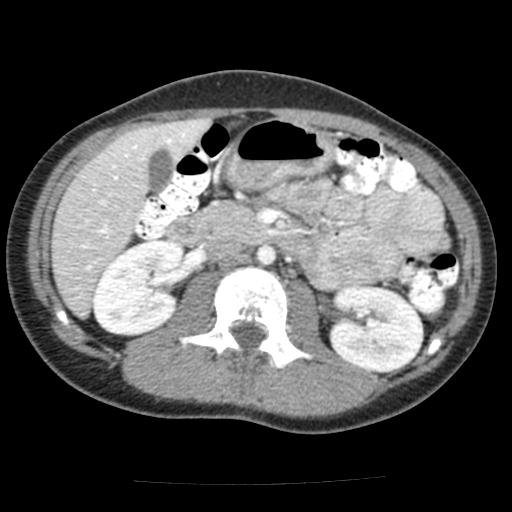
Axial slice 80 of 117 of a contrast-enhanced abdominal CT in the arterial phase (slice 1 is the lowest), 120 kVp, kernel FC12; 3.00 mm slice thickness and 0.518 mm pixels.
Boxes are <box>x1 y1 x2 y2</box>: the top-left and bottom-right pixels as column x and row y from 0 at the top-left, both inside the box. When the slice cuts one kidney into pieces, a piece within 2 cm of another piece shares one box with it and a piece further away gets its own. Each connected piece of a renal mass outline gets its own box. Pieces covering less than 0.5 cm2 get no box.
Two kidney boxes on this slice; by box centre, from the image's left to its right: (1) Right kidney at <box>92 239 185 337</box> (outlined area 6,929 px, about 18.6 cm2). (2) Left kidney: <box>327 285 425 371</box> (outlined area 6,787 px, about 18.2 cm2). This slice carries no renal mass outline.